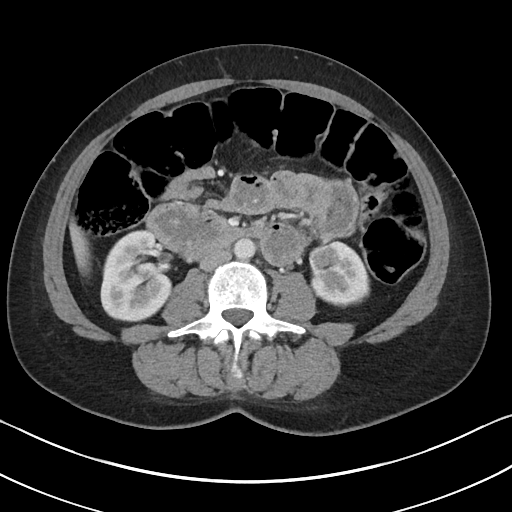
Axial slice 56 of 90 of a contrast-enhanced abdominal CT in the arterial phase (slice 1 is the lowest), 100 kVp, kernel I40f; 5.00 mm slice thickness and 0.703 mm pixels.
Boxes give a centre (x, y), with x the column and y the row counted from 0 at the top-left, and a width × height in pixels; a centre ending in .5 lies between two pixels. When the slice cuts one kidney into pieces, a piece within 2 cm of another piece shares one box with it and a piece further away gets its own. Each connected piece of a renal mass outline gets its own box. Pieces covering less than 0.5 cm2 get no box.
Two kidney boxes and one renal mass box on this slice; by box centre, from the image's left to its right: (1) Right kidney, box centre (136, 275), 73 × 93 pixels (outlined area 5,101 px, about 25.2 cm2). (2) Box centre (324, 257.5), 31 × 28 pixels: left renal mass (outlined area 727 px, about 3.6 cm2). (3) Left kidney in a box with centre (340, 273.5), 61 × 68 pixels (outlined area 2,451 px, about 12.1 cm2).